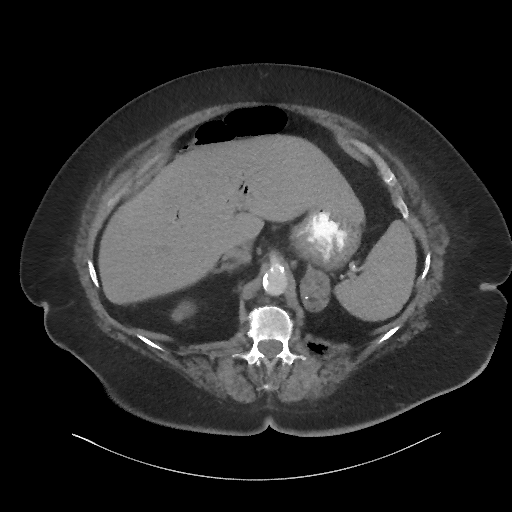
Contrast-enhanced abdominal CT, axial slice 53 of 86 (counted from the lowest slice); tube voltage 140 kVp, convolution kernel I44f; slices 3.00 mm thick, 0.977 mm per pixel.
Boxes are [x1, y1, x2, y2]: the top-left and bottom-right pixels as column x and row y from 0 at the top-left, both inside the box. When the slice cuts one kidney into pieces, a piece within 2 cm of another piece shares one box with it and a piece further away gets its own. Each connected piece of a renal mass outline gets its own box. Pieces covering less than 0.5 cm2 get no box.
Right kidney, box [171, 301, 194, 321] (outlined area 313 px, about 3.0 cm2). No renal mass outline on this slice.